One axial slice (198 of 527, counting up from the lowest) of an arterial-phase abdominal CT acquired with 120 kVp, kernel I30f; each pixel is 0.859 mm and the slice is 1.00 mm thick.
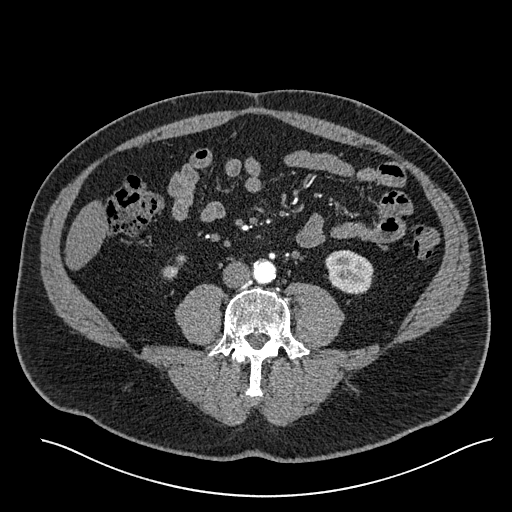
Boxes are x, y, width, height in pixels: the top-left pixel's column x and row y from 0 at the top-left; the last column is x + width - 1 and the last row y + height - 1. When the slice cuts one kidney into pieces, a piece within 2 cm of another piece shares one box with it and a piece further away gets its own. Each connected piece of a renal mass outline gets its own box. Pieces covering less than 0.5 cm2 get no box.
Two boxes on this slice (two kidney boxes), listed by box centre from the image's left to its right. (1) Right kidney, box x 162, y 254, width 24, height 27 (outlined area 291 px, about 2.1 cm2). (2) Left kidney, box x 325, y 250, width 49, height 45 (outlined area 1,686 px, about 12.5 cm2). No renal mass is outlined on this slice.